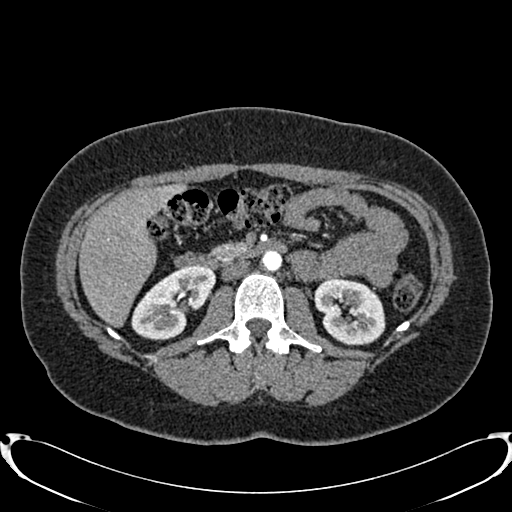
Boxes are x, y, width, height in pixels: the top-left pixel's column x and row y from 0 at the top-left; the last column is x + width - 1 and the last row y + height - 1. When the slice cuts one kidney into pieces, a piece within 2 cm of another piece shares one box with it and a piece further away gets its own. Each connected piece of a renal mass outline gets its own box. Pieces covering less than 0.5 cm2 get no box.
Arterial-phase contrast-enhanced abdominal CT, axial slice 441 of 719 (counted from the lowest slice); 1.00 mm thick, 0.766 mm per pixel. Two kidney boxes on this slice; by box centre, from the image's left to its right: (1) Right kidney, box x 131, y 265, width 85, height 76 (outlined area 3,985 px, about 23.4 cm2). (2) Left kidney, box x 313, y 277, width 73, height 69 (outlined area 3,668 px, about 21.5 cm2). This slice carries no renal mass outline.
Tube voltage 120 kVp; convolution kernel B20f.